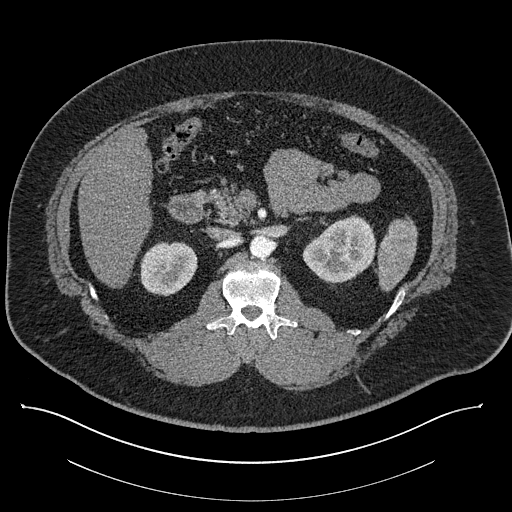
One axial slice (523 of 787, counting up from the lowest) of a contrast-enhanced abdominal CT acquired with 140 kVp, kernel I30f; each pixel is 0.910 mm and the slice is 1.00 mm thick.
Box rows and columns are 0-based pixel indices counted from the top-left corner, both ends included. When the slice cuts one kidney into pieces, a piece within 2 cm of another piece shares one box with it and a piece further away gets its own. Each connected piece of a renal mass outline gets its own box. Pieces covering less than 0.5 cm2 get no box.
Boxed on this slice (two kidney boxes), listed by box centre from the image's left to its right: (1) Box rows 242–296, columns 140–197: right kidney (outlined area 2,498 px, about 20.7 cm2). (2) Left kidney, box rows 214–285, columns 302–375 (outlined area 3,594 px, about 29.8 cm2). This slice carries no renal mass outline.